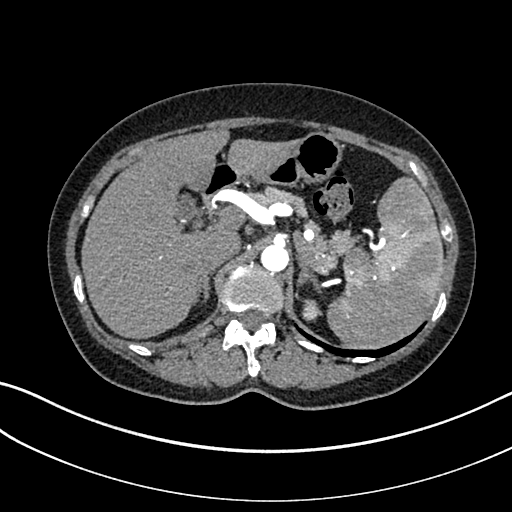
One axial slice (254 of 325, counting up from the lowest) of an arterial-phase abdominal CT acquired with 100 kVp, kernel I30f; each pixel is 0.703 mm and the slice is 1.00 mm thick.
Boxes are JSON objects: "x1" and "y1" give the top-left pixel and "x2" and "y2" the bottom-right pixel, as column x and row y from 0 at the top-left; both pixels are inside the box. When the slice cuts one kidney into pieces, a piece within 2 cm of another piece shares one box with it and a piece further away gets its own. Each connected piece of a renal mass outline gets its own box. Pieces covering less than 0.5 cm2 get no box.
Left kidney at {"x1": 302, "y1": 299, "x2": 322, "y2": 321} (outlined area 338 px, about 1.7 cm2). This slice carries no renal mass outline.